Axial slice 445 of 787 of a contrast-enhanced abdominal CT (slice 1 is the lowest), 140 kVp, kernel I30f; 1.00 mm slice thickness and 0.910 mm pixels.
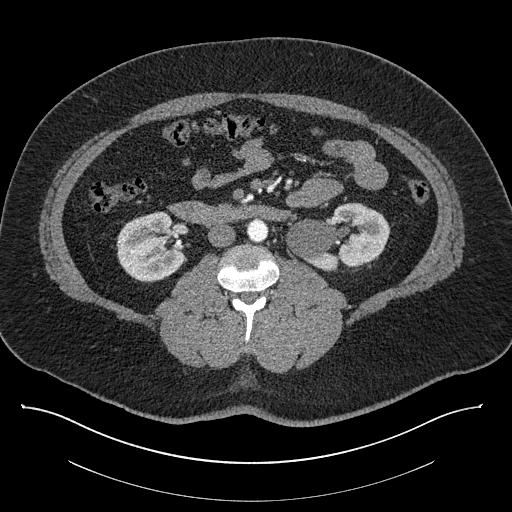
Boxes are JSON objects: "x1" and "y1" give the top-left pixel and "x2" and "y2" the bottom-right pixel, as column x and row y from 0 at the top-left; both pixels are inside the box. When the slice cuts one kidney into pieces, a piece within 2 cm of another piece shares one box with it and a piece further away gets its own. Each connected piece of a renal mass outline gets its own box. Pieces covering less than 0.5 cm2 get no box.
Two boxes on this slice (two kidney boxes), listed by box centre from the image's left to its right. (1) Right kidney, box {"x1": 116, "y1": 211, "x2": 185, "y2": 281} (outlined area 3,711 px, about 30.7 cm2). (2) Left kidney at {"x1": 286, "y1": 202, "x2": 389, "y2": 270} (outlined area 4,733 px, about 39.2 cm2). No renal mass is outlined on this slice.